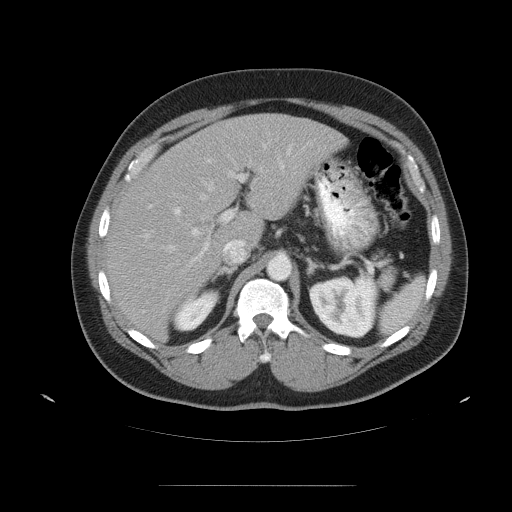
Abdominal CT with intravenous contrast, axial plane, 120 kVp, kernel STANDARD. Slice 78/99 from the bottom of the scan; thickness 5.00 mm; pixel size 0.938 mm.
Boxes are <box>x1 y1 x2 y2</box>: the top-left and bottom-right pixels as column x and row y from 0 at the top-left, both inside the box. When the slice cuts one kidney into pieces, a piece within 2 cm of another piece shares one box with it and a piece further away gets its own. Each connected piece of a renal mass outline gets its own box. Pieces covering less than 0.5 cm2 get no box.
Two boxes on this slice (two kidney boxes), listed by box centre from the image's left to its right. (1) Right kidney at <box>173 288 220 332</box> (outlined area 1,162 px, about 10.2 cm2). (2) Left kidney: <box>307 272 380 338</box> (outlined area 3,591 px, about 31.6 cm2). This slice carries no renal mass outline.